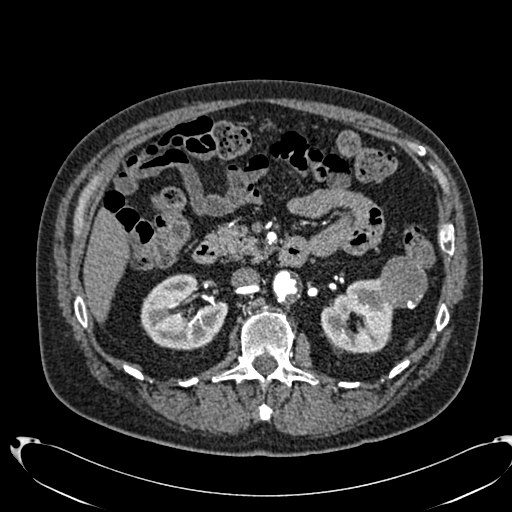
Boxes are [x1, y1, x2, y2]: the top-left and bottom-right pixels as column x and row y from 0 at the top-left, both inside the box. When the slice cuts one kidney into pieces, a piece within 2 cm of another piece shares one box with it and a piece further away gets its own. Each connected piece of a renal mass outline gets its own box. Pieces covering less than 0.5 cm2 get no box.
Arterial-phase contrast-enhanced abdominal CT, axial slice 433 of 553 (counted from the lowest slice); 1.00 mm thick, 0.773 mm per pixel. Boxed on this slice (two kidney boxes and one renal mass box), listed by box centre from the image's left to its right: (1) Right kidney, box [140, 274, 228, 350] (outlined area 4,761 px, about 28.5 cm2). (2) Left kidney at [321, 278, 395, 353] (outlined area 3,815 px, about 22.8 cm2). (3) Left renal mass at [378, 256, 427, 308] (outlined area 2,072 px, about 12.4 cm2).
Tube voltage 120 kVp; convolution kernel B20f.